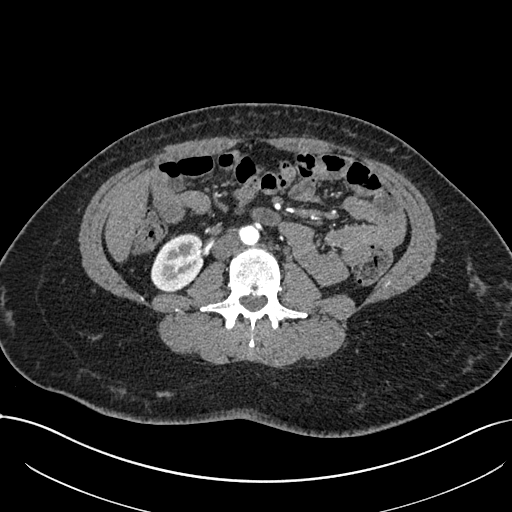
One axial slice (337 of 738, counting up from the lowest) of an arterial-phase abdominal CT acquired with 120 kVp, kernel I30f; each pixel is 0.789 mm and the slice is 1.00 mm thick.
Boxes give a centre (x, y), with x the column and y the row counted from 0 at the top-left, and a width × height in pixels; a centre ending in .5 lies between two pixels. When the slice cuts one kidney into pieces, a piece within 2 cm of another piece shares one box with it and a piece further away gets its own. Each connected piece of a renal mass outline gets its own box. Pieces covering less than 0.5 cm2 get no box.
Right kidney, box centre (176.5, 262.5), 54 × 60 pixels (outlined area 2,347 px, about 14.6 cm2). No renal mass is outlined on this slice.